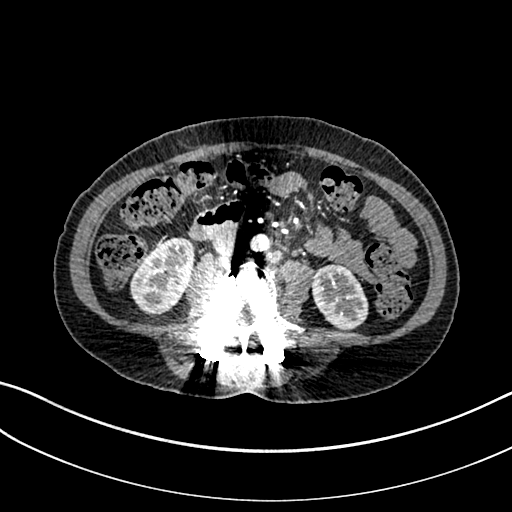
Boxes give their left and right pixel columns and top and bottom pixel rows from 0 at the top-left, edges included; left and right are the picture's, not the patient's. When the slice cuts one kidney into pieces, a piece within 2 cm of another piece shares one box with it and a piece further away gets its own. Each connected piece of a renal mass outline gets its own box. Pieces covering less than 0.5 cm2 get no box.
This is axial slice 93 of 325 (slice 1 is the lowest) of an arterial-phase abdominal CT with contrast; each pixel is 0.703 mm and the slice is 1.00 mm thick. Boxed on this slice (two kidney boxes), listed by box centre from the image's left to its right: (1) Right kidney, the box with left 130, top 237, right 194, bottom 316 (outlined area 3,588 px, about 17.7 cm2). (2) Box with left 311, top 264, right 368, bottom 329: left kidney (outlined area 2,823 px, about 14.0 cm2). This slice carries no renal mass outline.
Scan settings: 100 kVp, I30f reconstruction kernel.